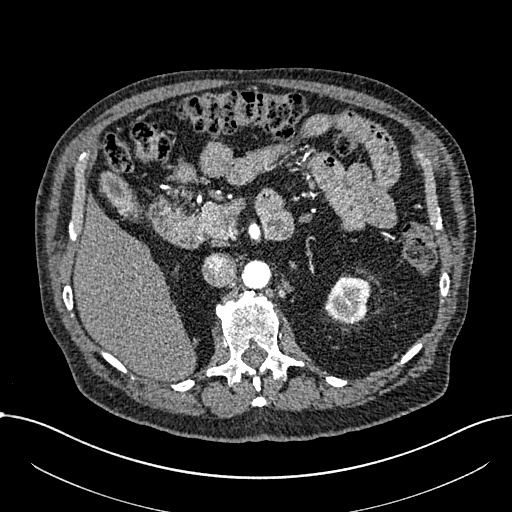
Axial slice 449 of 1059 of a contrast-enhanced abdominal CT in the arterial phase (slice 1 is the lowest), 100 kVp, kernel I30f; 1.00 mm slice thickness and 0.811 mm pixels.
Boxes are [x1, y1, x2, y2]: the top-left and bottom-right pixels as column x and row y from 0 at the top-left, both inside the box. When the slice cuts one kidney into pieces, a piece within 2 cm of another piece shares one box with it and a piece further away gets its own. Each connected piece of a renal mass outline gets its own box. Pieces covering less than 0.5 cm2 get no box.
Left part of the midline-crossing kidney at [324, 275, 371, 324] (outlined area 1,734 px, about 11.4 cm2). No renal mass is outlined on this slice.